Arterial-phase contrast-enhanced abdominal CT, axial slice 467 of 553 (counted from the lowest slice); tube voltage 120 kVp, convolution kernel B20f; slices 1.00 mm thick, 0.773 mm per pixel.
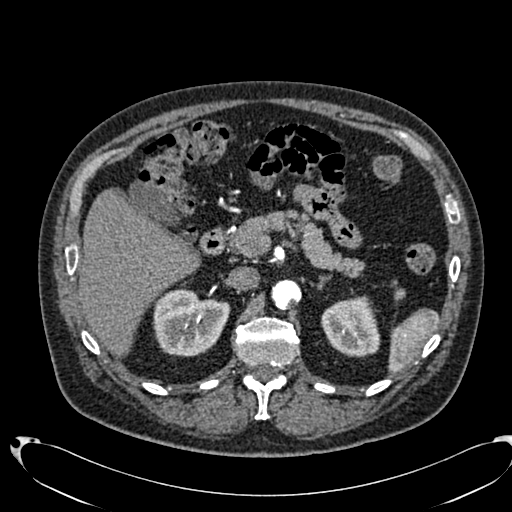
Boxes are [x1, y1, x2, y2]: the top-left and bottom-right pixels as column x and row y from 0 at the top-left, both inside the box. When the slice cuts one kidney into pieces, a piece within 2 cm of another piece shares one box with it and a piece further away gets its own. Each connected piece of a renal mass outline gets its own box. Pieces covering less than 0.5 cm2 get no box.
Boxed on this slice (two kidney boxes), listed by box centre from the image's left to its right: (1) Right kidney, box [153, 289, 230, 356] (outlined area 4,004 px, about 24.0 cm2). (2) Box [321, 296, 379, 356]: left kidney (outlined area 2,747 px, about 16.4 cm2). No renal mass outline on this slice.